Arterial-phase contrast-enhanced abdominal CT, axial slice 95 of 304 (counted from the lowest slice); tube voltage 100 kVp, convolution kernel I30f; slices 2.00 mm thick, 0.809 mm per pixel.
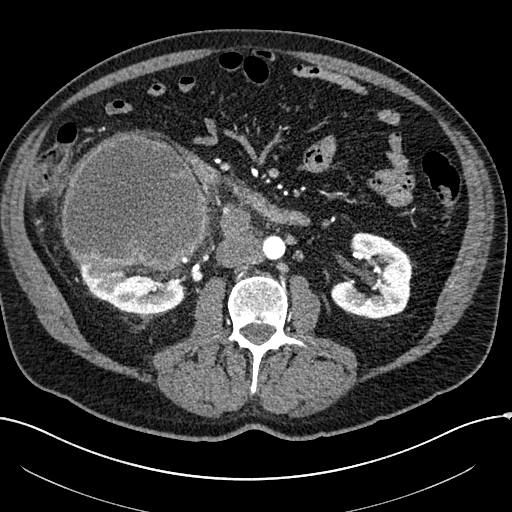
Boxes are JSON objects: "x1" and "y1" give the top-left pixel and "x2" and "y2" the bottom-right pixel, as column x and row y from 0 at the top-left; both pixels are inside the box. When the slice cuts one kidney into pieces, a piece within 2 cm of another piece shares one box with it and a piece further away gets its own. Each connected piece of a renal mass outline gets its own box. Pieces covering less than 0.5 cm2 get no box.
Three boxes on this slice (two kidney boxes and one renal mass box), listed by box centre from the image's left to its right. (1) Right kidney, box {"x1": 75, "y1": 259, "x2": 185, "y2": 313} (outlined area 3,929 px, about 25.7 cm2). (2) Right renal mass, box {"x1": 60, "y1": 133, "x2": 209, "y2": 270} (outlined area 16,137 px, about 105.5 cm2). (3) Left kidney, box {"x1": 330, "y1": 232, "x2": 414, "y2": 319} (outlined area 4,915 px, about 32.1 cm2).